Axial slice 396 of 538 of a contrast-enhanced abdominal CT in the arterial phase (slice 1 is the lowest), 120 kVp, kernel B30f; 1.00 mm slice thickness and 0.811 mm pixels.
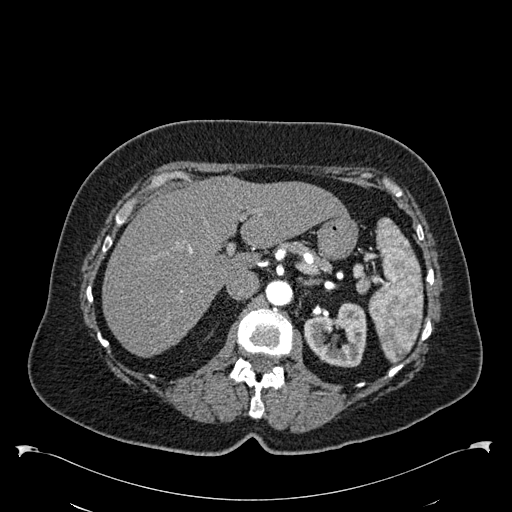
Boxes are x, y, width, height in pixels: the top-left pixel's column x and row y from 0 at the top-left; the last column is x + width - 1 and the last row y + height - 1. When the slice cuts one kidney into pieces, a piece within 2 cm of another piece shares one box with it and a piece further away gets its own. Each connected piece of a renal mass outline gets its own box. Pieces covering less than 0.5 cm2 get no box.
Left kidney, box x 304, y 302, width 64, height 66 (outlined area 2,947 px, about 19.4 cm2). No renal mass outline on this slice.